One axial slice (464 of 1059, counting up from the lowest) of an arterial-phase abdominal CT acquired with 100 kVp, kernel I30f; each pixel is 0.811 mm and the slice is 1.00 mm thick.
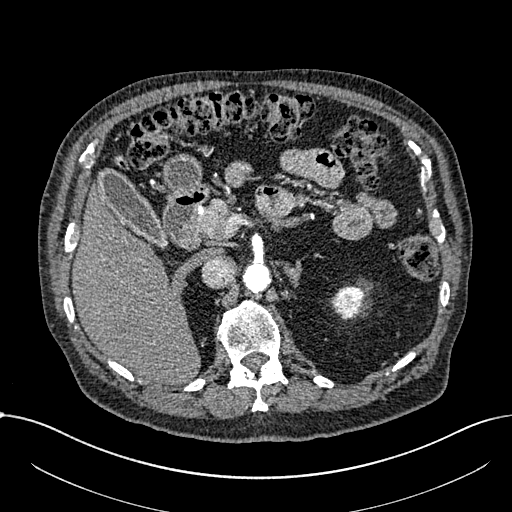
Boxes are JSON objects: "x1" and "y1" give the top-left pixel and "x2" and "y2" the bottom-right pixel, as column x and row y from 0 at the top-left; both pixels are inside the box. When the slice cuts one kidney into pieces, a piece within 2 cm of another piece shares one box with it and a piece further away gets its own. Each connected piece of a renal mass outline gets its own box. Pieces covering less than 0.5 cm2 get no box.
Box {"x1": 331, "y1": 285, "x2": 363, "y2": 320}: left part of the midline-crossing kidney (outlined area 855 px, about 5.6 cm2). No renal mass is outlined on this slice.